Axial slice 65 of 304 of a contrast-enhanced abdominal CT in the arterial phase (slice 1 is the lowest), 100 kVp, kernel I30f; 2.00 mm slice thickness and 0.809 mm pixels.
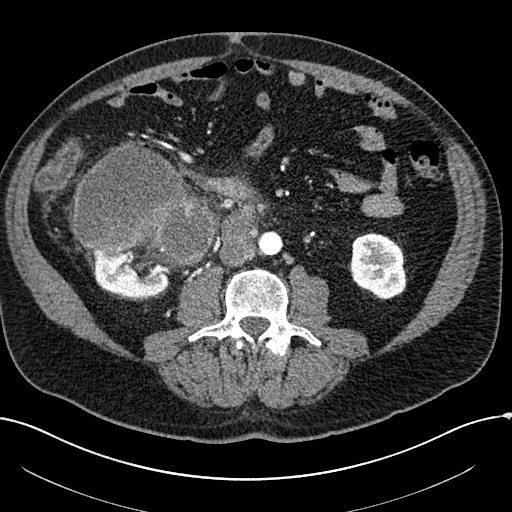
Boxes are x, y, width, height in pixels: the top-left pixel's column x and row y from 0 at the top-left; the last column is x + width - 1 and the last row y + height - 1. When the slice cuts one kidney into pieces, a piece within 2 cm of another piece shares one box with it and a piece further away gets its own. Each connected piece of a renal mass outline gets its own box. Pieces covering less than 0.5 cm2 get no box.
Two kidney boxes and one renal mass box on this slice; by box centre, from the image's left to its right: (1) Right kidney at x 90, y 252, width 81, height 47 (outlined area 2,632 px, about 17.2 cm2). (2) Right renal mass at x 72, y 145, width 145, height 126 (outlined area 12,954 px, about 84.7 cm2). (3) Left kidney, box x 348, y 232, width 60, height 68 (outlined area 3,017 px, about 19.7 cm2).